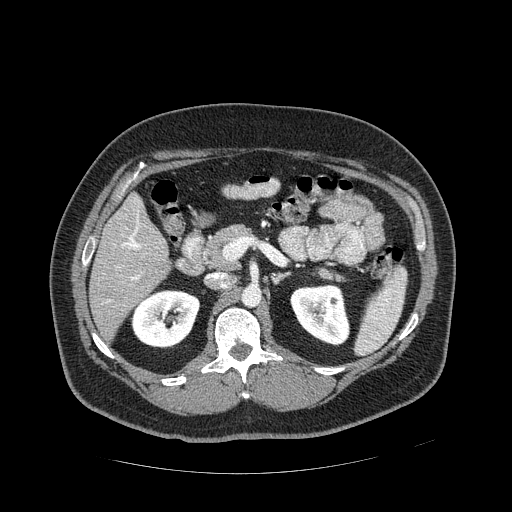
Axial slice 273 of 389 of a contrast-enhanced abdominal CT in the arterial phase (slice 1 is the lowest), 120 kVp, kernel STANDARD; 1.25 mm slice thickness and 0.869 mm pixels.
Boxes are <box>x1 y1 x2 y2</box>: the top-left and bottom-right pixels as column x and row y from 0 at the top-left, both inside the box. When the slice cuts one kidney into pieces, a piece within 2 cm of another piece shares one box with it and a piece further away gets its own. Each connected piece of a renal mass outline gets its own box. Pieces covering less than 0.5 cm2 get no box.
Two boxes on this slice (two kidney boxes), listed by box centre from the image's left to its right. (1) Right kidney: <box>130 289 200 348</box> (outlined area 3,128 px, about 23.6 cm2). (2) Left kidney: <box>290 284 350 345</box> (outlined area 2,788 px, about 21.1 cm2). No renal mass outline on this slice.